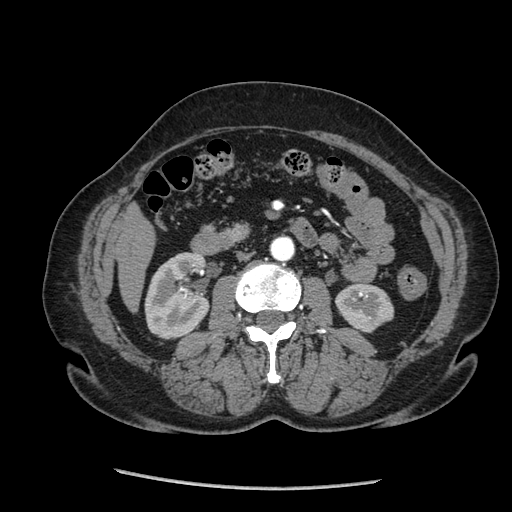
Axial slice 110 of 233 of a contrast-enhanced abdominal CT in the arterial phase (slice 1 is the lowest), 120 kVp, kernel STANDARD; 1.25 mm slice thickness and 0.703 mm pixels.
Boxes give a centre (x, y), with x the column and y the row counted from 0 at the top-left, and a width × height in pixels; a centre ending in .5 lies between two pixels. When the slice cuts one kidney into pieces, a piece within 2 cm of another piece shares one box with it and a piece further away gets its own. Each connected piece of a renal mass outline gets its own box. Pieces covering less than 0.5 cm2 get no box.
Boxed on this slice (two kidney boxes), listed by box centre from the image's left to its right: (1) Right kidney, box centre (177.5, 295.5), 68 × 88 pixels (outlined area 4,504 px, about 22.3 cm2). (2) Left kidney, box centre (364, 308), 61 × 49 pixels (outlined area 2,161 px, about 10.7 cm2). No renal mass is outlined on this slice.